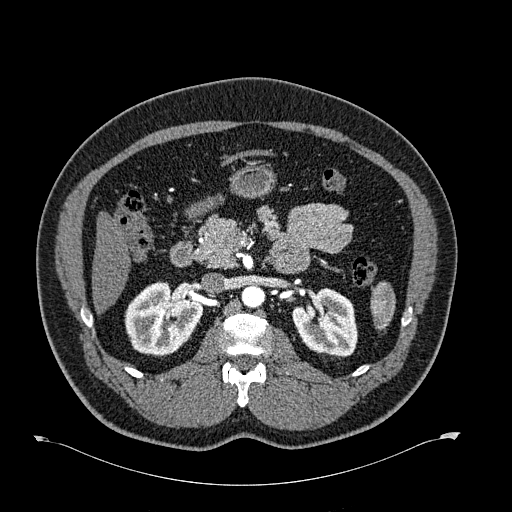
Abdominal CT with intravenous contrast, arterial phase, axial plane, 120 kVp, kernel B30f. Slice 398/723 from the bottom of the scan; thickness 1.00 mm; pixel size 0.895 mm.
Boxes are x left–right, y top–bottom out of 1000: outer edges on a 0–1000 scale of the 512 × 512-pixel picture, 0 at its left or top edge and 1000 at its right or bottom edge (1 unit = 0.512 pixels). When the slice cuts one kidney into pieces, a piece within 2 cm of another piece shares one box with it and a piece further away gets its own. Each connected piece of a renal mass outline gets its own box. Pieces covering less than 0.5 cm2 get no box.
Two kidney boxes on this slice; by box centre, from the image's left to its right: (1) Right kidney, box x 242–398, y 549–697 out of 1000 (outlined area 4,292 px, about 34.3 cm2). (2) Box x 570–699, y 561–701 out of 1000: left kidney (outlined area 3,400 px, about 27.2 cm2). This slice carries no renal mass outline.